One axial slice (234 of 602, counting up from the lowest) of an arterial-phase abdominal CT acquired with 120 kVp, kernel I30f; each pixel is 0.799 mm and the slice is 1.00 mm thick.
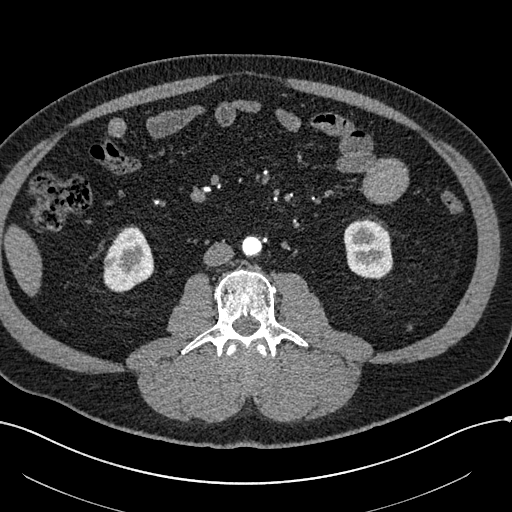
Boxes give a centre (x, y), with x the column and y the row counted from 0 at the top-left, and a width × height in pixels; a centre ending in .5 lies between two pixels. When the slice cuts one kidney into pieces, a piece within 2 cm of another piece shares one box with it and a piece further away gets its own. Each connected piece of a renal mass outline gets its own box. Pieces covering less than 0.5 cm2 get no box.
Two kidney boxes and one renal mass box on this slice; by box centre, from the image's left to its right: (1) Right renal mass, box centre (111, 261), 17 × 17 pixels (outlined area 225 px, about 1.4 cm2). (2) Right kidney in a box with centre (128.5, 258.5), 52 × 68 pixels (outlined area 2,304 px, about 14.7 cm2). (3) Left kidney, box centre (368, 248.5), 51 × 62 pixels (outlined area 2,458 px, about 15.7 cm2).